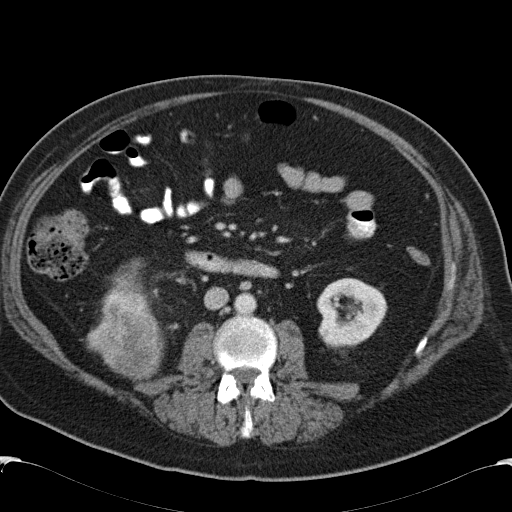
One axial slice (64 of 99, counting up from the lowest) of a contrast-enhanced abdominal CT acquired with 120 kVp, kernel B31f; each pixel is 0.742 mm and the slice is 5.00 mm thick.
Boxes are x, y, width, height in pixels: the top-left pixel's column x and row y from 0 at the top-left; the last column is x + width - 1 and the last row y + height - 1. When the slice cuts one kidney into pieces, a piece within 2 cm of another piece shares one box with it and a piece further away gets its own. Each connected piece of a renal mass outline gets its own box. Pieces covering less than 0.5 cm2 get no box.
Boxed on this slice (two kidney boxes and one renal mass box), listed by box centre from the image's left to its right: (1) Right renal mass at x 86, y 288, width 79, height 92 (outlined area 5,070 px, about 27.9 cm2). (2) Right kidney at x 111, y 258, width 35, height 36 (outlined area 739 px, about 4.1 cm2). (3) Left kidney, box x 316, y 277, width 72, height 73 (outlined area 3,761 px, about 20.7 cm2).